Axial slice 509 of 673 of a contrast-enhanced abdominal CT in the arterial phase (slice 1 is the lowest), 140 kVp, kernel I30f; 1.00 mm slice thickness and 0.957 mm pixels.
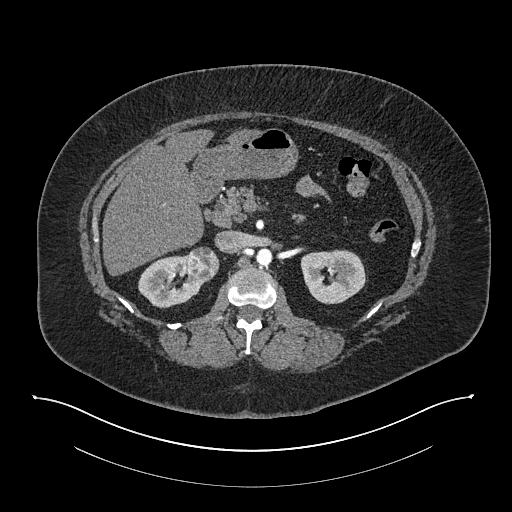
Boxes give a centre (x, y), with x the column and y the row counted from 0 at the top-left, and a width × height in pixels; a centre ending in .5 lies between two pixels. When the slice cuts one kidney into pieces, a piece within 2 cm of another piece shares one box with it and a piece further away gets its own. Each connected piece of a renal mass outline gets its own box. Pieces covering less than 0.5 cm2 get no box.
Boxed on this slice (two kidney boxes and one renal mass box), listed by box centre from the image's left to its right: (1) Right kidney in a box with centre (171.5, 281.5), 68 × 54 pixels (outlined area 2,338 px, about 21.4 cm2). (2) Box centre (203, 264), 33 × 35 pixels: right renal mass (outlined area 919 px, about 8.4 cm2). (3) Left kidney, box centre (333, 276.5), 67 × 56 pixels (outlined area 2,792 px, about 25.6 cm2).